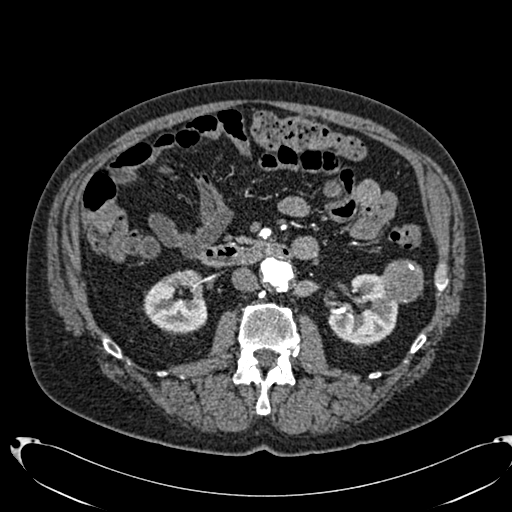
Abdominal CT with intravenous contrast, arterial phase, axial plane, 120 kVp, kernel B20f. Slice 391/553 from the bottom of the scan; thickness 1.00 mm; pixel size 0.773 mm.
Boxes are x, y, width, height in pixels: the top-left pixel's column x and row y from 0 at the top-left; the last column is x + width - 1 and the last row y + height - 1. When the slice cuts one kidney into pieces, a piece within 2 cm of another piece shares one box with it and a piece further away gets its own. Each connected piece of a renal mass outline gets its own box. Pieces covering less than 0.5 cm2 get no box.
Two kidney boxes and one renal mass box on this slice; by box centre, from the image's left to its right: (1) Box x 143, y 269, width 65, height 65: right kidney (outlined area 3,065 px, about 18.3 cm2). (2) Box x 327, y 273, width 72, height 71: left kidney (outlined area 3,411 px, about 20.4 cm2). (3) Box x 381, y 259, width 43, height 45: left renal mass (outlined area 1,520 px, about 9.1 cm2).